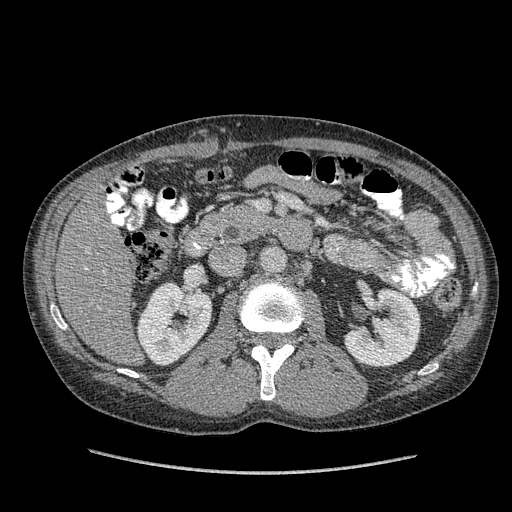
One axial slice (215 of 349, counting up from the lowest) of an arterial-phase abdominal CT acquired with 120 kVp, kernel STANDARD; each pixel is 0.742 mm and the slice is 1.25 mm thick.
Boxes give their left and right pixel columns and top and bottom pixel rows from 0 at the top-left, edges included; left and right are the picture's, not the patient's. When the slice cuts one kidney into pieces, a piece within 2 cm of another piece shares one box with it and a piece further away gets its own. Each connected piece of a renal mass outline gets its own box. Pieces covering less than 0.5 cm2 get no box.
Boxed on this slice (two kidney boxes), listed by box centre from the image's left to its right: (1) Box with left 135, top 281, right 212, bottom 366: right kidney (outlined area 4,644 px, about 25.6 cm2). (2) Left kidney in the box with left 344, top 288, right 421, bottom 367 (outlined area 4,336 px, about 23.9 cm2). No renal mass is outlined on this slice.